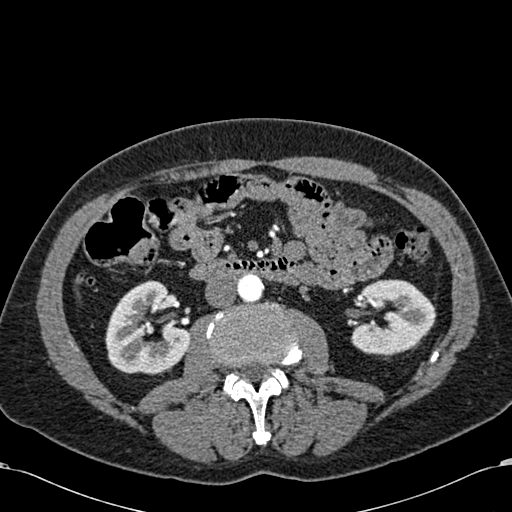
One axial slice (307 of 581, counting up from the lowest) of an arterial-phase abdominal CT acquired with 120 kVp, kernel B30f; each pixel is 0.713 mm and the slice is 1.00 mm thick.
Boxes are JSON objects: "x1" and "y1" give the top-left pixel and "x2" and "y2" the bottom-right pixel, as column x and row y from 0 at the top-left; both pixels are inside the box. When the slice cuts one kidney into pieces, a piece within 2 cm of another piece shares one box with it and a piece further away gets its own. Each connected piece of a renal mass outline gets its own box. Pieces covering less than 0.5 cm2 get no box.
Two boxes on this slice (two kidney boxes), listed by box centre from the image's left to its right. (1) Right kidney at {"x1": 105, "y1": 280, "x2": 189, "y2": 374} (outlined area 5,630 px, about 28.6 cm2). (2) Left kidney, box {"x1": 351, "y1": 279, "x2": 436, "y2": 355} (outlined area 4,786 px, about 24.3 cm2). No renal mass outline on this slice.